One axial slice (374 of 665, counting up from the lowest) of an arterial-phase abdominal CT acquired with 100 kVp, kernel I26f; each pixel is 0.828 mm and the slice is 1.00 mm thick.
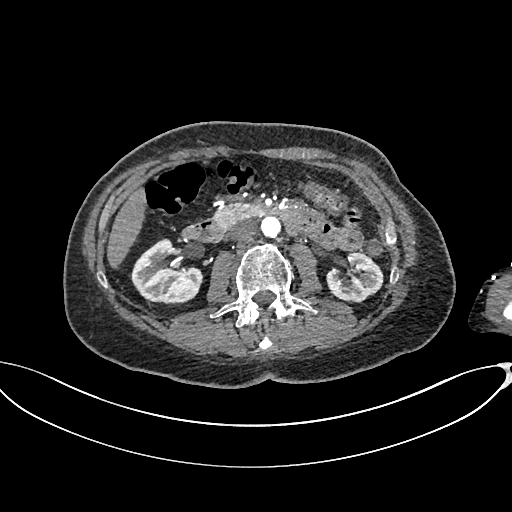
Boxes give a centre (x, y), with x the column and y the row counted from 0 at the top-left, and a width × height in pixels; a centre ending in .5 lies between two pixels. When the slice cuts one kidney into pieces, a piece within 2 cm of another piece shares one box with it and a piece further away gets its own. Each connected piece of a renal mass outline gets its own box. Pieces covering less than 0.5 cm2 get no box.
Two boxes on this slice (two kidney boxes), listed by box centre from the image's left to its right. (1) Right kidney, box centre (166.5, 271.5), 74 × 68 pixels (outlined area 3,305 px, about 22.7 cm2). (2) Left kidney in a box with centre (354.5, 277.5), 58 × 50 pixels (outlined area 2,094 px, about 14.4 cm2). No renal mass is outlined on this slice.